Axial slice 123 of 159 of a contrast-enhanced abdominal CT (slice 1 is the lowest), 120 kVp, kernel FC13; 3.00 mm slice thickness and 0.668 mm pixels.
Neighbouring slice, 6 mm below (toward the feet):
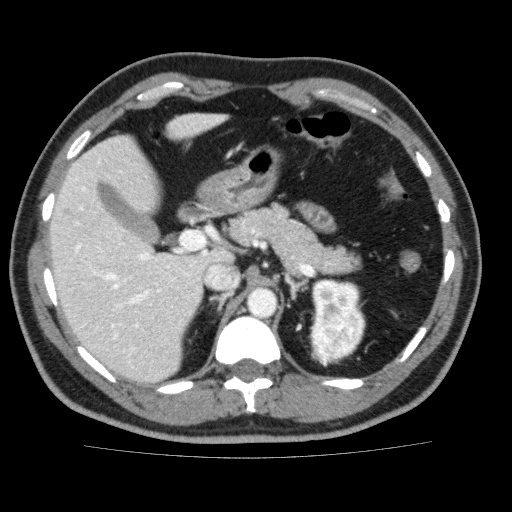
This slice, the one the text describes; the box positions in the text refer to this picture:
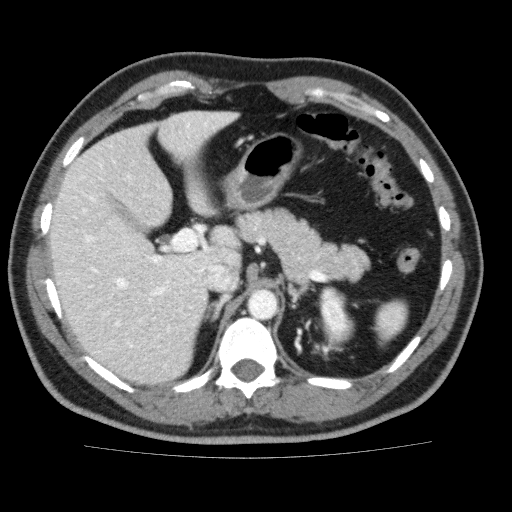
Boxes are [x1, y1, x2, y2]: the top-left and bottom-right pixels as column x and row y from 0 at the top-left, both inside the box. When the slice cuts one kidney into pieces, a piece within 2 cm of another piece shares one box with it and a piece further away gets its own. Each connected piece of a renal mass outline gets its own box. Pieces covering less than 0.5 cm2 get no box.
Boxed on this slice (one kidney box and one renal mass box), listed by box centre from the image's left to its right: (1) Box [319, 286, 348, 324]: left kidney (outlined area 798 px, about 3.6 cm2). (2) Left renal mass, box [322, 316, 354, 346] (outlined area 794 px, about 3.5 cm2). This slice lies near the end of the left renal mass toward the head; the slice 6 mm below it is shown too, and the boxes mark positions on this slice only.